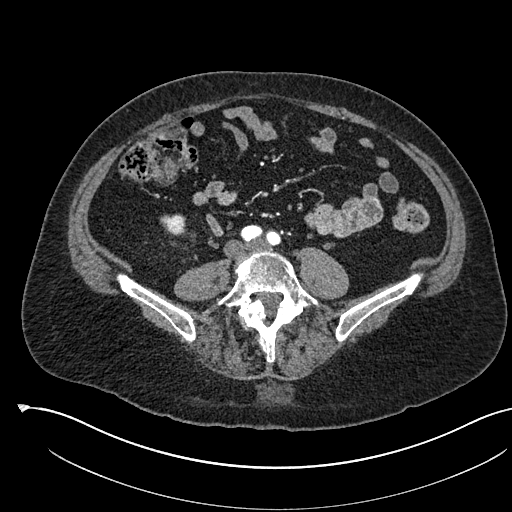
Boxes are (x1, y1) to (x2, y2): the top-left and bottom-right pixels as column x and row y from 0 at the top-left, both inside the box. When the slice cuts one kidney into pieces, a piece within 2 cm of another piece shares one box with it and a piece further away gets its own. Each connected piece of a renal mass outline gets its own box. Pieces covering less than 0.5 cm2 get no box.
Slice 185/541 of a contrast-enhanced abdominal CT in the arterial phase, counting up from the lowest; pixel size 0.834 mm, slice thickness 1.00 mm. Right kidney from (160, 214) to (186, 235) (outlined area 456 px, about 3.2 cm2).
Scan settings: 120 kVp, I30f reconstruction kernel.